One axial slice (517 of 787, counting up from the lowest) of a contrast-enhanced abdominal CT acquired with 140 kVp, kernel I30f; each pixel is 0.910 mm and the slice is 1.00 mm thick.
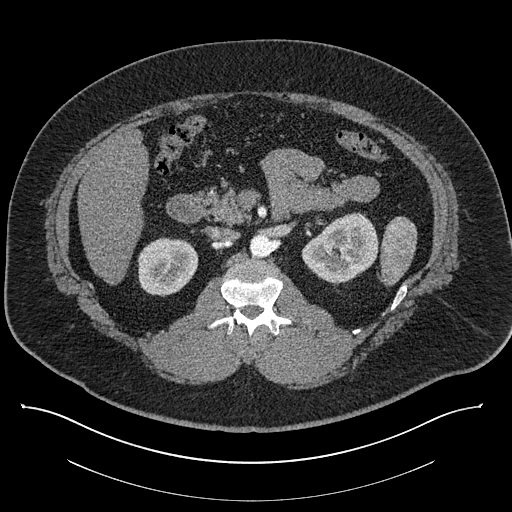
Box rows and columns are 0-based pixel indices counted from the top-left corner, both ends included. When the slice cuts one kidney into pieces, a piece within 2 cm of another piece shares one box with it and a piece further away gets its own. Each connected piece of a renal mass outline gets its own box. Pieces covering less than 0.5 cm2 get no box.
Two kidney boxes on this slice; by box centre, from the image's left to its right: (1) Right kidney at rows 237–296, columns 137–198 (outlined area 2,855 px, about 23.7 cm2). (2) Left kidney at rows 212–285, columns 301–377 (outlined area 3,891 px, about 32.2 cm2). No renal mass outline on this slice.